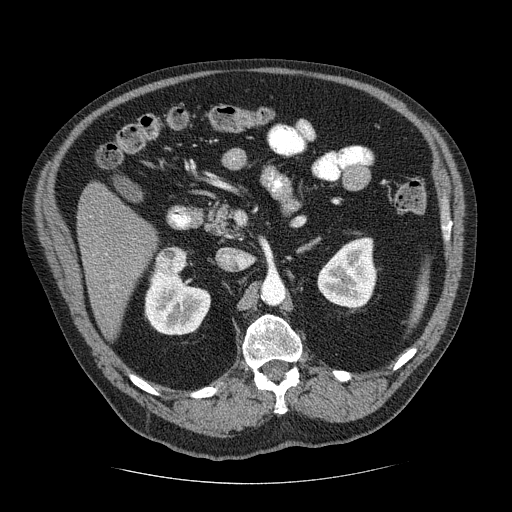
Contrast-enhanced abdominal CT, axial slice 142 of 206 (counted from the lowest slice); tube voltage 120 kVp, convolution kernel STANDARD; slices 2.50 mm thick, 0.879 mm per pixel.
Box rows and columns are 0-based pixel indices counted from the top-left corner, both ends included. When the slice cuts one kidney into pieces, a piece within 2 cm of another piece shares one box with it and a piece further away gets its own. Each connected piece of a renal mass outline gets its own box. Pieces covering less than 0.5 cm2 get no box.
Two kidney boxes and one renal mass box on this slice; by box centre, from the image's left to its right: (1) Right renal mass at rows 246–274, columns 154–188 (outlined area 778 px, about 6.0 cm2). (2) Box rows 266–335, columns 144–211: right kidney (outlined area 3,278 px, about 25.3 cm2). (3) Left kidney at rows 237–309, columns 317–377 (outlined area 3,191 px, about 24.6 cm2).